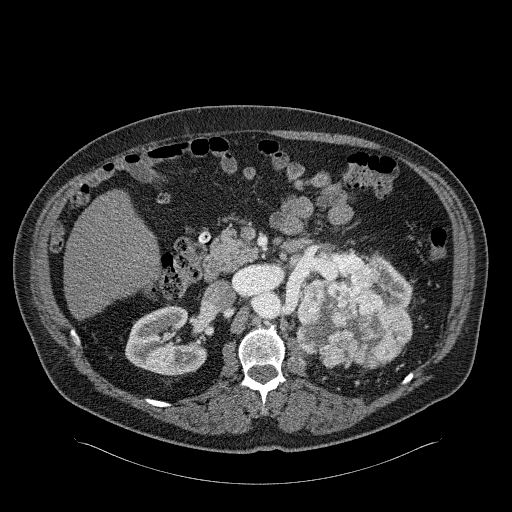
Abdominal CT with intravenous contrast, arterial phase, axial plane, 120 kVp, kernel B31f. Slice 142/326 from the bottom of the scan; thickness 2.00 mm; pixel size 0.963 mm.
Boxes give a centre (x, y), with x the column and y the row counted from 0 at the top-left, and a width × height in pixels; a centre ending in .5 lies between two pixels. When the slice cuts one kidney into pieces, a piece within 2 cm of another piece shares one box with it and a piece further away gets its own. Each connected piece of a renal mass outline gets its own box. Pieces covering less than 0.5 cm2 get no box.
Boxed on this slice (two kidney boxes and one renal mass box), listed by box centre from the image's left to its right: (1) Right kidney in a box with centre (166, 339.5), 83 × 72 pixels (outlined area 4,120 px, about 38.2 cm2). (2) Left renal mass in a box with centre (354, 314.5), 117 × 110 pixels (outlined area 8,931 px, about 82.8 cm2). (3) Left kidney, box centre (387, 282), 51 × 57 pixels (outlined area 1,438 px, about 13.3 cm2).